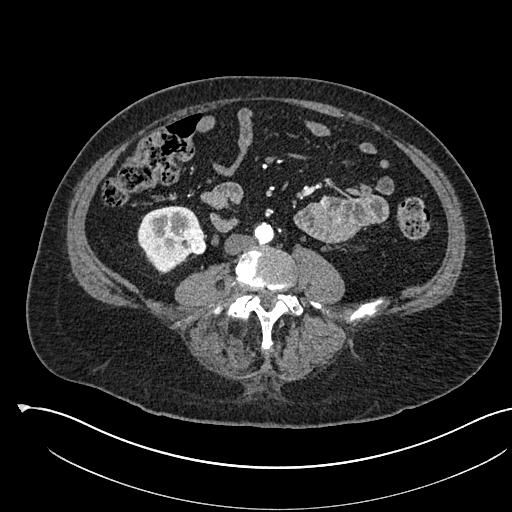
Axial slice 208 of 541 of a contrast-enhanced abdominal CT in the arterial phase (slice 1 is the lowest), 120 kVp, kernel I30f; 1.00 mm slice thickness and 0.834 mm pixels.
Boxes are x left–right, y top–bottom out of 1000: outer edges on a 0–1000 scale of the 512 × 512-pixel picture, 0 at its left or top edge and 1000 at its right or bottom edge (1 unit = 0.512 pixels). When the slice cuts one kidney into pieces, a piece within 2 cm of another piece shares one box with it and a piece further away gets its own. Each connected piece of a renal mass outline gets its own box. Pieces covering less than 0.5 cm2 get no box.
Two boxes on this slice (one kidney box and one renal mass box), listed by box centre from the image's left to its right. (1) Right kidney, box x 268–393, y 400–537 out of 1000 (outlined area 2,781 px, about 19.3 cm2). (2) Right renal mass, box x 350–404, y 445–498 out of 1000 (outlined area 589 px, about 4.1 cm2).